One axial slice (37 of 103, counting up from the lowest) of a contrast-enhanced abdominal CT acquired with 120 kVp, kernel FC18; each pixel is 0.714 mm and the slice is 3.00 mm thick.
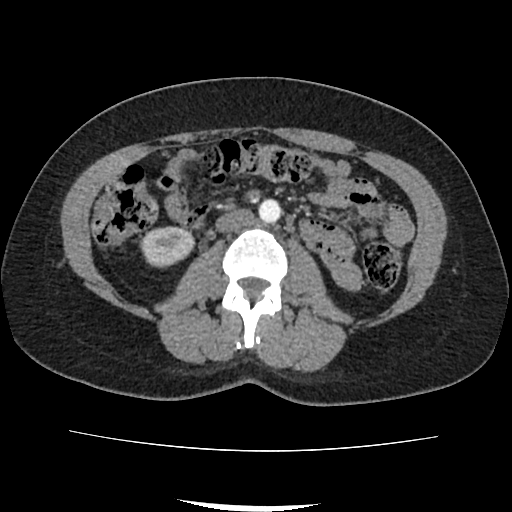
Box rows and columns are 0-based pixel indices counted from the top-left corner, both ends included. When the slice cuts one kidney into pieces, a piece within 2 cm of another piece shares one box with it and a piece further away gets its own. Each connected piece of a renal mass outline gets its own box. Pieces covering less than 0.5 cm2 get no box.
Right kidney at rows 226–267, columns 139–195 (outlined area 1,799 px, about 9.2 cm2). This slice carries no renal mass outline.